Axial slice 188 of 541 of a contrast-enhanced abdominal CT in the arterial phase (slice 1 is the lowest), 120 kVp, kernel I30f; 1.00 mm slice thickness and 0.834 mm pixels.
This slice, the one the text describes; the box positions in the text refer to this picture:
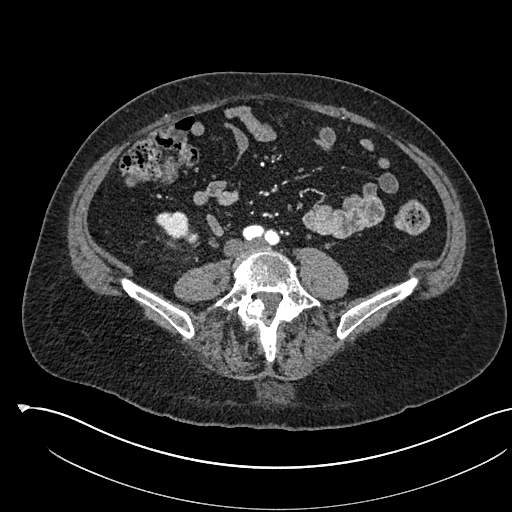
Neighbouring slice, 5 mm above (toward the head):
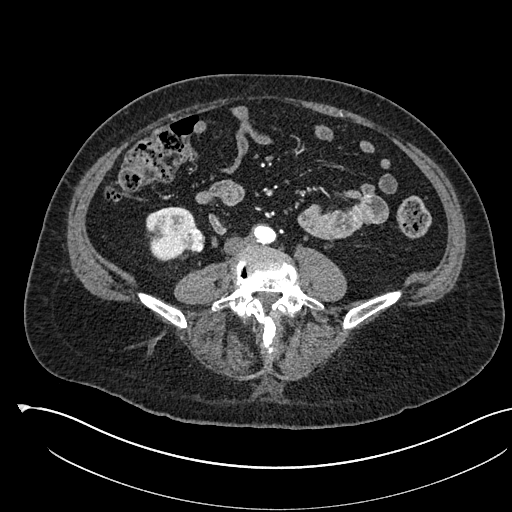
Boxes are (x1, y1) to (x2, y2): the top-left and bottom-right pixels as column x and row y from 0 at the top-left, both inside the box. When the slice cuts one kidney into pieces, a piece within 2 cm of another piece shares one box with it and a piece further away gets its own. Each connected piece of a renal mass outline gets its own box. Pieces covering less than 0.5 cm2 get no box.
Two boxes on this slice (one kidney box and one renal mass box), listed by box centre from the image's left to its right. (1) Right kidney, box (155, 211) to (189, 240) (outlined area 707 px, about 4.9 cm2). (2) Box (182, 229) to (199, 247): right renal mass (outlined area 189 px, about 1.3 cm2). This slice lies near the end of the right renal mass toward the feet; the slice 5 mm above it is shown too, and the boxes mark positions on this slice only.